Arterial-phase contrast-enhanced abdominal CT, axial slice 410 of 612 (counted from the lowest slice); tube voltage 120 kVp, convolution kernel I30f; slices 1.00 mm thick, 0.703 mm per pixel.
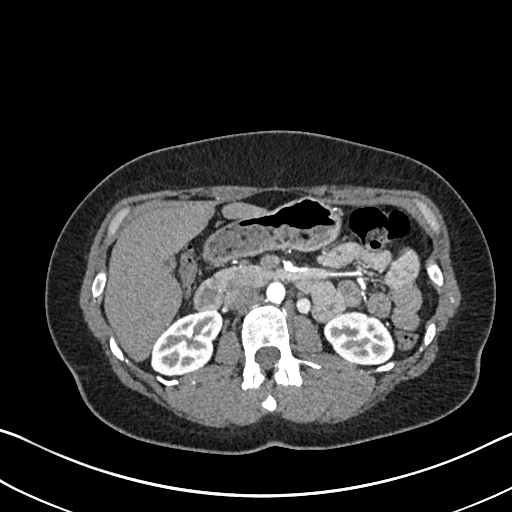
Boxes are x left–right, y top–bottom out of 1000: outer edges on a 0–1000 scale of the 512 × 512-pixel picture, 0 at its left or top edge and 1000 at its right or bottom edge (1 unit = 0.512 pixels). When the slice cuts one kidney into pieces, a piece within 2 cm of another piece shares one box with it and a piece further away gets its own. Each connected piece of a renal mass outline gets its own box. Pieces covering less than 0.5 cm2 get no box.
Two kidney boxes on this slice; by box centre, from the image's left to its right: (1) Right kidney at x 295–436, y 604–736 out of 1000 (outlined area 3,308 px, about 16.4 cm2). (2) Left kidney at x 631–771, y 607–713 out of 1000 (outlined area 2,888 px, about 14.3 cm2). This slice carries no renal mass outline.